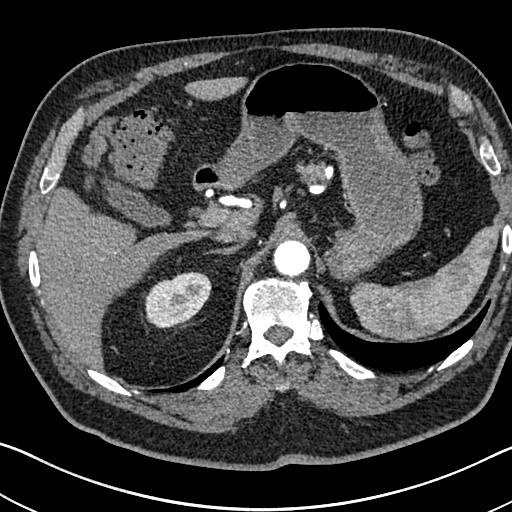
Arterial-phase contrast-enhanced abdominal CT, axial slice 543 of 705 (counted from the lowest slice); tube voltage 120 kVp, convolution kernel I30f; slices 1.00 mm thick, 0.703 mm per pixel.
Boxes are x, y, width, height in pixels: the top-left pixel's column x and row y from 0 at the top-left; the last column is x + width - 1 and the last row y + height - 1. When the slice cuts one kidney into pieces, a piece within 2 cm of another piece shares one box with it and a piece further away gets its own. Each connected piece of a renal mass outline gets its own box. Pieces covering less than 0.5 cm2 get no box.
Box x 143, y 271, width 69, height 58: right kidney (outlined area 2,779 px, about 13.7 cm2). This slice carries no renal mass outline.